Arterial-phase contrast-enhanced abdominal CT, axial slice 251 of 723 (counted from the lowest slice); tube voltage 120 kVp, convolution kernel B30f; slices 1.00 mm thick, 0.895 mm per pixel.
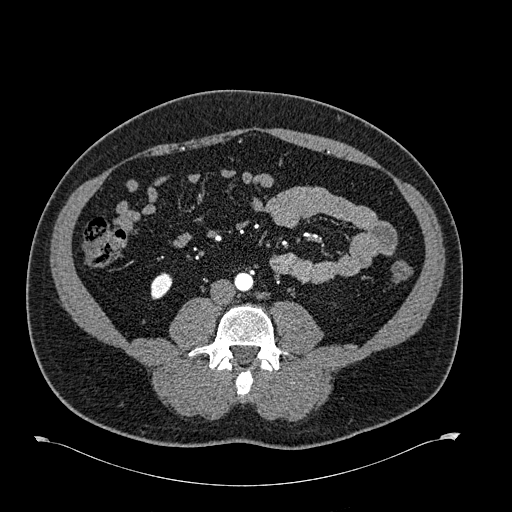
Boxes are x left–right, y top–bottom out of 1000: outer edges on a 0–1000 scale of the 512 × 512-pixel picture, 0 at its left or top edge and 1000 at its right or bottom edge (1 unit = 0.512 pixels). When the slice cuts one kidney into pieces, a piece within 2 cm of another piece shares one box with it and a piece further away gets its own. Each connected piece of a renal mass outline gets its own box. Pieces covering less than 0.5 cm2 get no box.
Right kidney at x 293–338, y 531–586 out of 1000 (outlined area 440 px, about 3.5 cm2). This slice carries no renal mass outline.